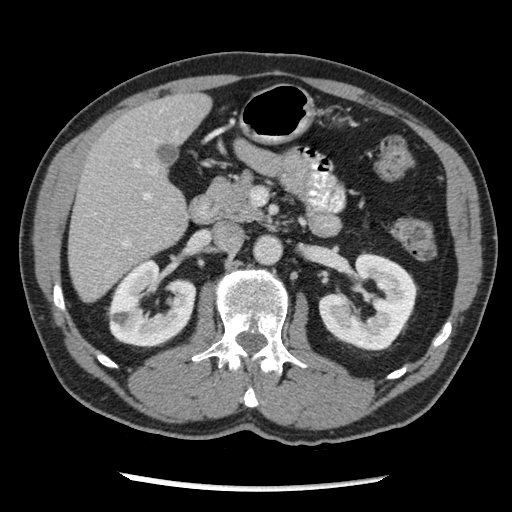
Arterial-phase contrast-enhanced abdominal CT, axial slice 126 of 262 (counted from the lowest slice); tube voltage 120 kVp, convolution kernel STANDARD; slices 2.50 mm thick, 0.703 mm per pixel.
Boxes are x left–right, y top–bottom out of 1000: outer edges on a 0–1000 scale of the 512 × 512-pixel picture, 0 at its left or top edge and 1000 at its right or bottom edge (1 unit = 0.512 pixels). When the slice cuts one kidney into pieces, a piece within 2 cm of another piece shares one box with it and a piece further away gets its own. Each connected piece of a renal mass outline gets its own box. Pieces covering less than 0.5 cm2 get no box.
Two boxes on this slice (two kidney boxes), listed by box centre from the image's left to its right. (1) Box x 207–383, y 506–682 out of 1000: right kidney (outlined area 5,301 px, about 26.2 cm2). (2) Left kidney at x 621–818, y 490–686 out of 1000 (outlined area 6,325 px, about 31.3 cm2). No renal mass is outlined on this slice.